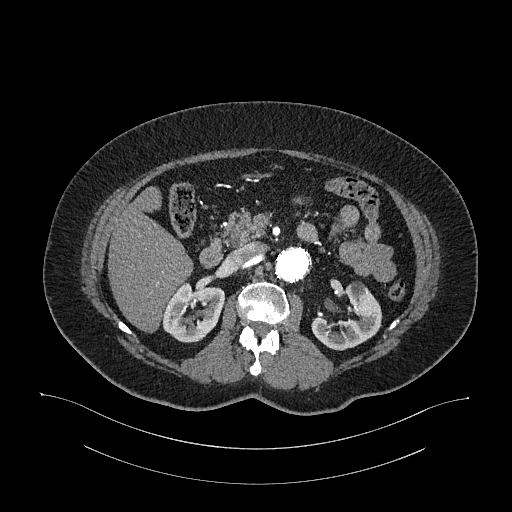
Abdominal CT with intravenous contrast, arterial phase, axial plane, 120 kVp, kernel I26f. Slice 680/987 from the bottom of the scan; thickness 1.00 mm; pixel size 0.977 mm.
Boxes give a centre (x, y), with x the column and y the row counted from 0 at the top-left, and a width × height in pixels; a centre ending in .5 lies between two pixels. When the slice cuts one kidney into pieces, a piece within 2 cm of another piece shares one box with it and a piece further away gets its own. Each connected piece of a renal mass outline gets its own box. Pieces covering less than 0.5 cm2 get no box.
Boxed on this slice (two kidney boxes), listed by box centre from the image's left to its right: (1) Box centre (193.5, 311.5), 64 × 62 pixels: right kidney (outlined area 2,795 px, about 26.7 cm2). (2) Left kidney in a box with centre (346.5, 316), 72 × 69 pixels (outlined area 2,894 px, about 27.6 cm2). This slice carries no renal mass outline.